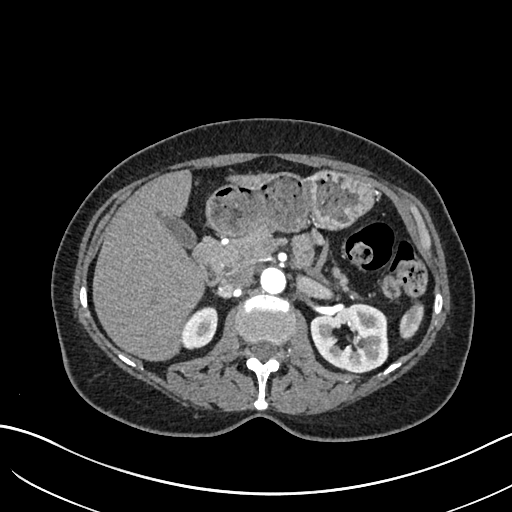
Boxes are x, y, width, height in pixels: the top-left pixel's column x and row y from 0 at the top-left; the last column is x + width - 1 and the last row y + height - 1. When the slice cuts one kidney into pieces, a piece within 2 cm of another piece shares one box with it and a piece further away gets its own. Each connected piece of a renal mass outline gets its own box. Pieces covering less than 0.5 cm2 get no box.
Slice 412/683 of a contrast-enhanced abdominal CT in the arterial phase, counting up from the lowest; pixel size 0.738 mm, slice thickness 1.00 mm. Two boxes on this slice (two kidney boxes), listed by box centre from the image's left to its right. (1) Right kidney at x 181, y 306, width 38, height 44 (outlined area 1,211 px, about 6.6 cm2). (2) Box x 310, y 302, width 79, height 72: left kidney (outlined area 4,165 px, about 22.7 cm2). No renal mass is outlined on this slice.
Acquired at 120 kVp and reconstructed with the I30f kernel.